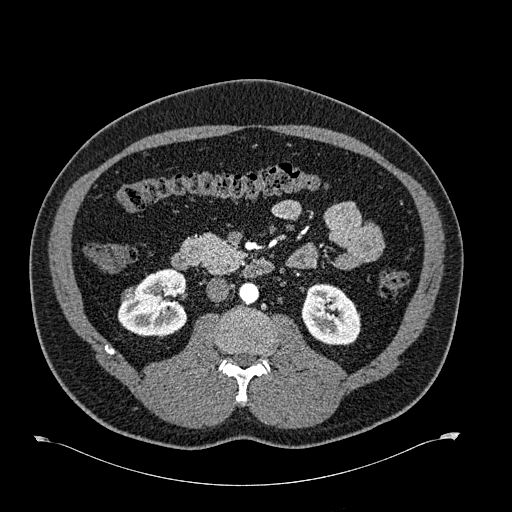
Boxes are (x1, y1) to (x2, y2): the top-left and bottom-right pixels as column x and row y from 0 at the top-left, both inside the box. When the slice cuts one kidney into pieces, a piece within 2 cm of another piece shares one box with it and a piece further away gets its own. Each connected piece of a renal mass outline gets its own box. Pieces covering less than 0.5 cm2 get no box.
This is axial slice 338 of 723 (slice 1 is the lowest) of an arterial-phase abdominal CT with contrast; each pixel is 0.895 mm and the slice is 1.00 mm thick. Three boxes on this slice (two kidney boxes and one renal mass box), listed by box centre from the image's left to its right. (1) Right renal mass, box (121, 287) to (135, 301) (outlined area 171 px, about 1.4 cm2). (2) Right kidney, box (117, 268) to (187, 337) (outlined area 3,551 px, about 28.4 cm2). (3) Box (301, 283) to (360, 345): left kidney (outlined area 2,860 px, about 22.9 cm2).
Acquired at 120 kVp and reconstructed with the B30f kernel.